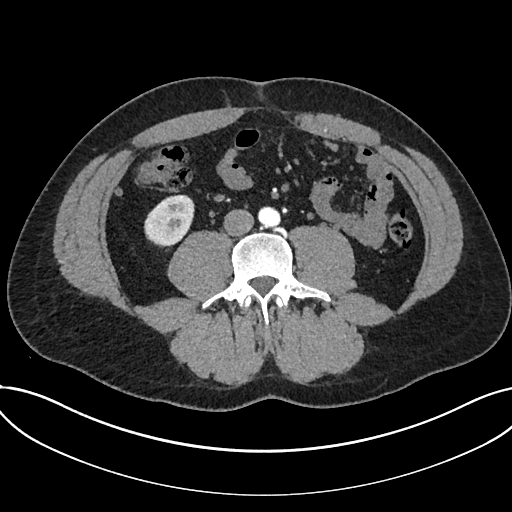
Abdominal CT with intravenous contrast, arterial phase, axial plane, 120 kVp, kernel I30f. Slice 283/735 from the bottom of the scan; thickness 1.00 mm; pixel size 0.789 mm.
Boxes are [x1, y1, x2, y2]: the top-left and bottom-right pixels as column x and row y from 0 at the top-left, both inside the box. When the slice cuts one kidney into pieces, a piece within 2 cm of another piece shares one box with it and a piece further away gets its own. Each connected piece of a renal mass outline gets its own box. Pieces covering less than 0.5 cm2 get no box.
Kidney, box [144, 194, 194, 247] (outlined area 2,000 px, about 12.5 cm2). This slice carries no renal mass outline.